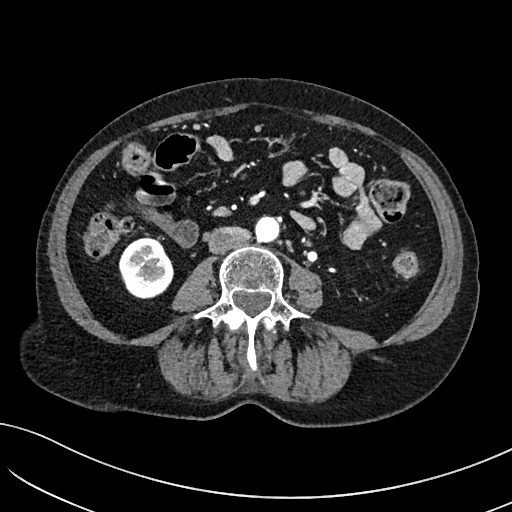
Arterial-phase contrast-enhanced abdominal CT, axial slice 20 of 234 (counted from the lowest slice); tube voltage 100 kVp, convolution kernel I40f; slices 2.00 mm thick, 0.699 mm per pixel.
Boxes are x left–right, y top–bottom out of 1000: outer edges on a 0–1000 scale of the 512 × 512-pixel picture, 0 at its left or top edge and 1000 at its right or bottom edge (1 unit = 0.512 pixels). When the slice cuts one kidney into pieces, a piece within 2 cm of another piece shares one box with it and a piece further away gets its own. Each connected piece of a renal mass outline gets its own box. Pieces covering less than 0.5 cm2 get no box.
Box x 230–340, y 459–584 out of 1000: right kidney (outlined area 2,619 px, about 12.8 cm2). This slice carries no renal mass outline.